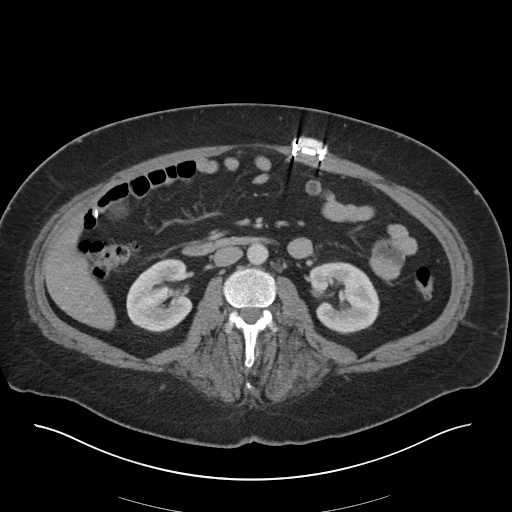
One axial slice (13 of 36, counting up from the lowest) of an arterial-phase abdominal CT acquired with 140 kVp, kernel I30f; each pixel is 0.906 mm and the slice is 5.00 mm thick.
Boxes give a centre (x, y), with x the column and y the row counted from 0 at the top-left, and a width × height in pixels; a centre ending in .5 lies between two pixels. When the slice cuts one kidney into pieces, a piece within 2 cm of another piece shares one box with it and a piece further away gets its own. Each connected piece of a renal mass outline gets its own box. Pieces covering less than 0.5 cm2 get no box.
Two kidney boxes on this slice; by box centre, from the image's left to its right: (1) Right kidney, box centre (159, 295), 67 × 75 pixels (outlined area 3,714 px, about 30.5 cm2). (2) Left kidney in a box with centre (343.5, 297.5), 72 × 74 pixels (outlined area 3,862 px, about 31.7 cm2). This slice carries no renal mass outline.